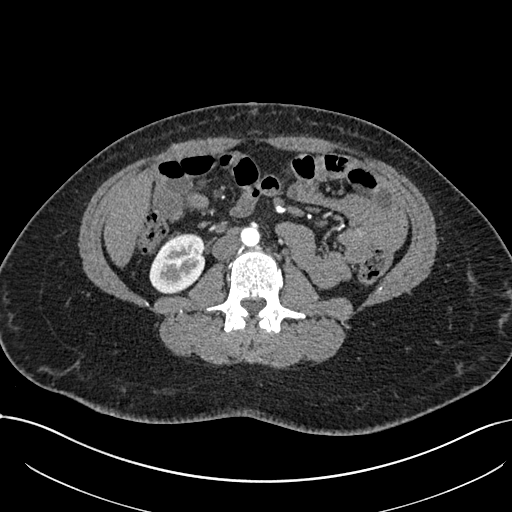
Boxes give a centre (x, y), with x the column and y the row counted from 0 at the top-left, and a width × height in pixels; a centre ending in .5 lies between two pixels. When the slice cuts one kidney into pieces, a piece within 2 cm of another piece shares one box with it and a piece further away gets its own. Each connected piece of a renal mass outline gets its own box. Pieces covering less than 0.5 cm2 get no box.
This is axial slice 345 of 738 (slice 1 is the lowest) of an arterial-phase abdominal CT with contrast; each pixel is 0.789 mm and the slice is 1.00 mm thick. Right kidney, box centre (177, 263), 57 × 61 pixels (outlined area 2,587 px, about 16.1 cm2). No renal mass is outlined on this slice.
Scan settings: 120 kVp, I30f reconstruction kernel.